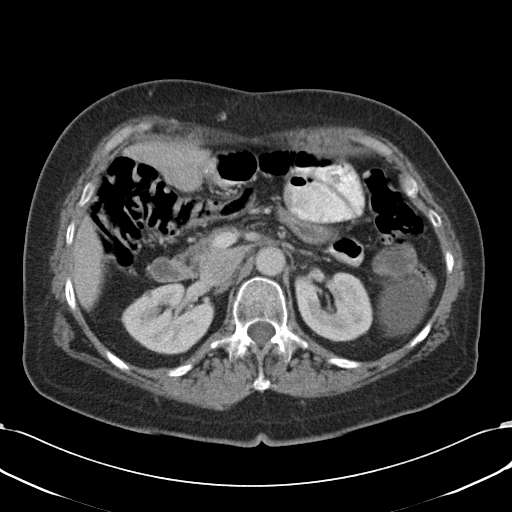
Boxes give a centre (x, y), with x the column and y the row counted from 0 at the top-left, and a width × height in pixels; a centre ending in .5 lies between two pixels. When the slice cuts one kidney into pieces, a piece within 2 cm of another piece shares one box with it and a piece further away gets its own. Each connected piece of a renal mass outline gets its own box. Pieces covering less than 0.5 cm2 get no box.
This is axial slice 66 of 90 (slice 1 is the lowest) of an abdominal CT with contrast; each pixel is 0.707 mm and the slice is 5.00 mm thick. Two kidney boxes on this slice; by box centre, from the image's left to its right: (1) Right kidney in a box with centre (167, 318.5), 93 × 72 pixels (outlined area 4,720 px, about 23.6 cm2). (2) Box centre (334, 305), 77 × 69 pixels: left kidney (outlined area 4,030 px, about 20.1 cm2). This slice carries no renal mass outline.
Tube voltage 120 kVp; convolution kernel B31f.